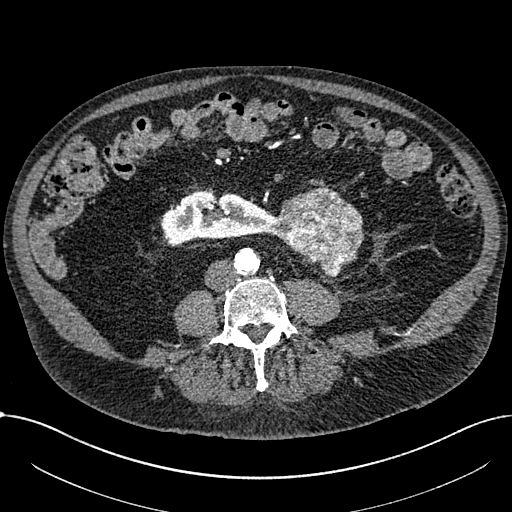
Abdominal CT with intravenous contrast, arterial phase, axial plane, 100 kVp, kernel I30f. Slice 258/1059 from the bottom of the scan; thickness 1.00 mm; pixel size 0.811 mm.
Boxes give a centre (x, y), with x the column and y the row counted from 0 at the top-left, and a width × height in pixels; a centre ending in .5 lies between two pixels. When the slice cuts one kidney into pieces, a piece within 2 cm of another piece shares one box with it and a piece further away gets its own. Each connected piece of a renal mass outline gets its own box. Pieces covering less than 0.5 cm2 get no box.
One kidney box and one renal mass box on this slice; by box centre, from the image's left to its right: (1) Right part of the midline-crossing kidney, box centre (217, 217), 115 × 55 pixels (outlined area 4,350 px, about 28.6 cm2). (2) Renal mass in a box with centre (318, 231.5), 93 × 92 pixels (outlined area 5,487 px, about 36.0 cm2).